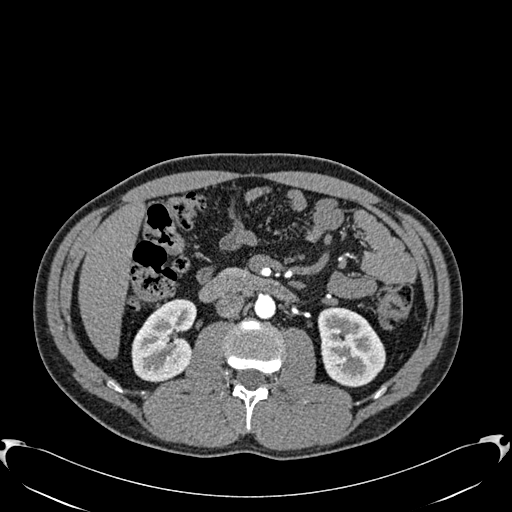
Axial slice 328 of 512 of a contrast-enhanced abdominal CT in the arterial phase (slice 1 is the lowest), 120 kVp, kernel B30f; 1.00 mm slice thickness and 0.771 mm pixels.
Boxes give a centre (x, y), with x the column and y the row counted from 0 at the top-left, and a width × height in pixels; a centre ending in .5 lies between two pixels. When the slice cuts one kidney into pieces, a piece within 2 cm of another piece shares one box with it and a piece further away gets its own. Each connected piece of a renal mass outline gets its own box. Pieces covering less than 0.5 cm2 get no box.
Boxed on this slice (two kidney boxes), listed by box centre from the image's left to its right: (1) Box centre (164, 340), 67 × 83 pixels: right kidney (outlined area 3,992 px, about 23.8 cm2). (2) Left kidney in a box with centre (351, 347), 69 × 81 pixels (outlined area 4,164 px, about 24.8 cm2). No renal mass outline on this slice.